Arterial-phase contrast-enhanced abdominal CT, axial slice 306 of 723 (counted from the lowest slice); tube voltage 120 kVp, convolution kernel B30f; slices 1.00 mm thick, 0.895 mm per pixel.
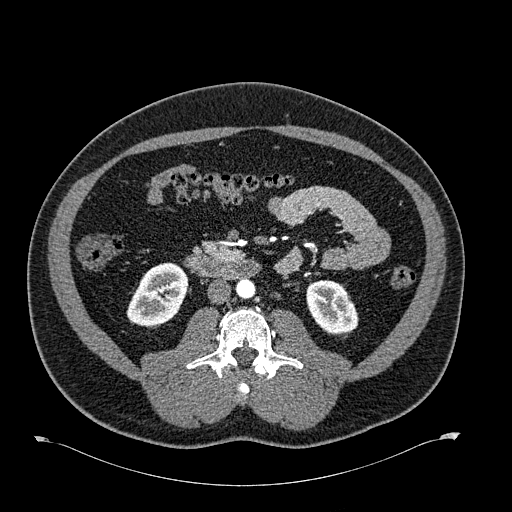
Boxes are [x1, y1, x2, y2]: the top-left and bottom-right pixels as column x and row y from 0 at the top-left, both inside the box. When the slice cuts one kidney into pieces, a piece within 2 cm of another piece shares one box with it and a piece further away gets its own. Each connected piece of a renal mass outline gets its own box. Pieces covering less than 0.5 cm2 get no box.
Two kidney boxes on this slice; by box centre, from the image's left to its right: (1) Box [126, 262, 188, 328]: right kidney (outlined area 2,885 px, about 23.1 cm2). (2) Left kidney at [306, 280, 358, 336] (outlined area 2,219 px, about 17.8 cm2). No renal mass is outlined on this slice.